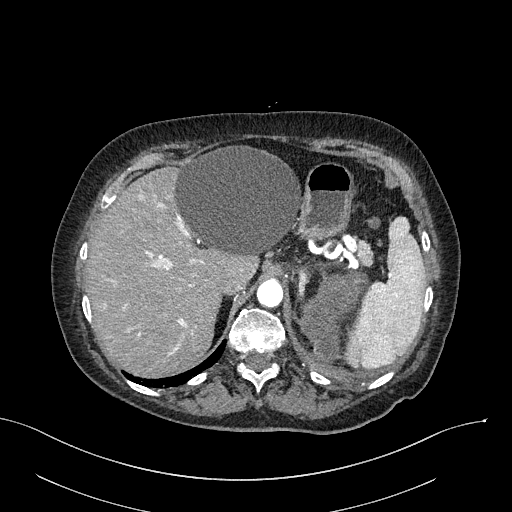
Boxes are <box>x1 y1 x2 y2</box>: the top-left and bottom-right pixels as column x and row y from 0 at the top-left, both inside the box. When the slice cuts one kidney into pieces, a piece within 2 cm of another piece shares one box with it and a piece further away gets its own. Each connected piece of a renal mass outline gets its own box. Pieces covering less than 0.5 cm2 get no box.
This is axial slice 213 of 316 (slice 1 is the lowest) of an arterial-phase abdominal CT with contrast; each pixel is 0.840 mm and the slice is 2.00 mm thick. At <box>300 270 368 363</box>: left renal mass (outlined area 3,567 px, about 25.2 cm2); no kidney outline appears on this slice, but the same outlined renal mass comes within 1 cm of the kidney on another slice.
Scan settings: 100 kVp, I40f reconstruction kernel.